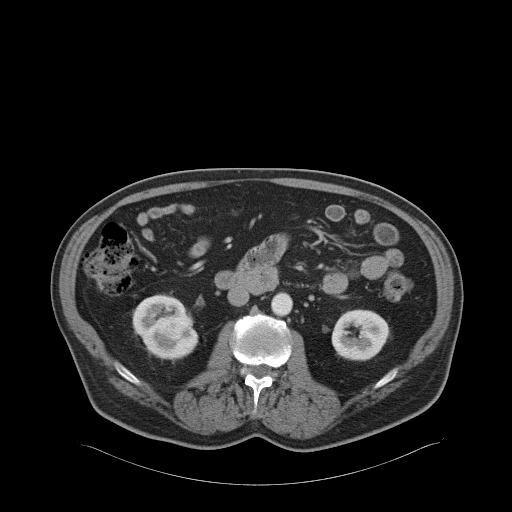
Abdominal CT with intravenous contrast, arterial phase, axial plane, 120 kVp, kernel B31f. Slice 28/68 from the bottom of the scan; thickness 5.00 mm; pixel size 0.961 mm.
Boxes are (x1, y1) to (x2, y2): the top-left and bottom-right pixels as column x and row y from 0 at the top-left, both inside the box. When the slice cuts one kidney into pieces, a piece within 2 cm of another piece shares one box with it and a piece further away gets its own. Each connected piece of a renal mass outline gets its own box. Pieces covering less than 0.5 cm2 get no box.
Two kidney boxes and one renal mass box on this slice; by box centre, from the image's left to its right: (1) Right kidney from (132, 294) to (198, 360) (outlined area 2,407 px, about 22.2 cm2). (2) Right renal mass from (149, 313) to (193, 339) (outlined area 857 px, about 7.9 cm2). (3) Left kidney from (331, 309) to (388, 361) (outlined area 2,356 px, about 21.8 cm2).